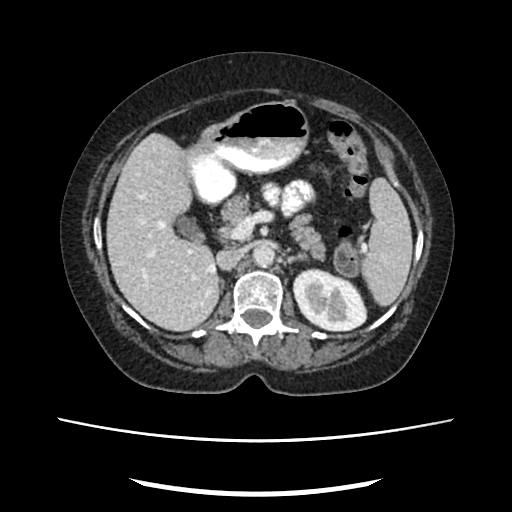
Axial slice 150 of 207 of a contrast-enhanced abdominal CT in the arterial phase (slice 1 is the lowest), 120 kVp, kernel FC18; 2.00 mm slice thickness and 0.741 mm pixels.
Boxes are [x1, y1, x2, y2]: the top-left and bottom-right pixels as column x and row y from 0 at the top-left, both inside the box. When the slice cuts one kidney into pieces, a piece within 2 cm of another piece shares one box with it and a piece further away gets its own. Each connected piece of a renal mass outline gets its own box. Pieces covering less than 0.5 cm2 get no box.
Left kidney, box [292, 268, 367, 332] (outlined area 3,591 px, about 19.7 cm2). No renal mass is outlined on this slice.